One axial slice (493 of 665, counting up from the lowest) of an arterial-phase abdominal CT acquired with 100 kVp, kernel I26f; each pixel is 0.828 mm and the slice is 1.00 mm thick.
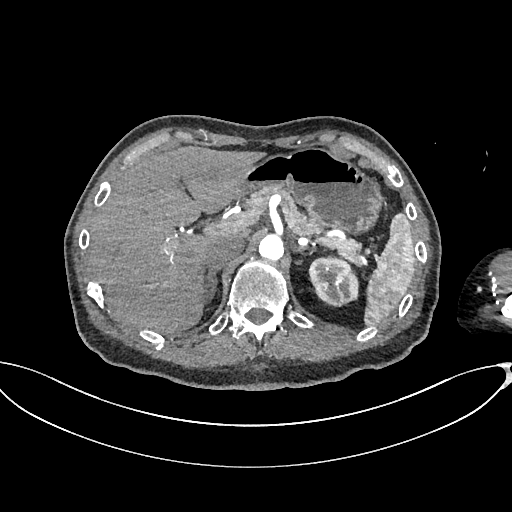
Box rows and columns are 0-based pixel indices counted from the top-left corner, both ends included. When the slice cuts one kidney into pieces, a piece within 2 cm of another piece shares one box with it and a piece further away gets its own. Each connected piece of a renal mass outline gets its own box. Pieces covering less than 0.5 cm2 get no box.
Left kidney, box rows 255–306, columns 308–358 (outlined area 2,028 px, about 13.9 cm2). This slice carries no renal mass outline.